Arterial-phase contrast-enhanced abdominal CT, axial slice 384 of 670 (counted from the lowest slice); tube voltage 120 kVp, convolution kernel I30f; slices 1.00 mm thick, 0.861 mm per pixel.
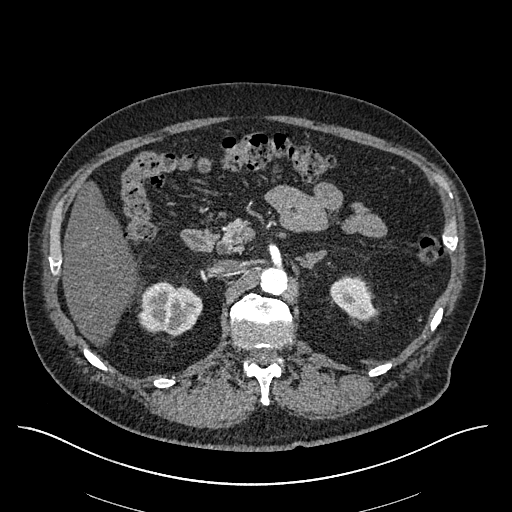
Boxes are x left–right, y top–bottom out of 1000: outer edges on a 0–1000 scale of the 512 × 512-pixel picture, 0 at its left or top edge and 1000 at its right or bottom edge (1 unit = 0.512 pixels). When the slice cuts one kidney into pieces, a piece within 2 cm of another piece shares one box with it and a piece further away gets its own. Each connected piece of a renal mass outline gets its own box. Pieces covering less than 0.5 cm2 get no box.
Boxed on this slice (two kidney boxes), listed by box centre from the image's left to its right: (1) Right kidney, box x 268–396, y 551–658 out of 1000 (outlined area 2,626 px, about 19.5 cm2). (2) Left kidney at x 645–734, y 539–631 out of 1000 (outlined area 1,446 px, about 10.7 cm2). No renal mass outline on this slice.